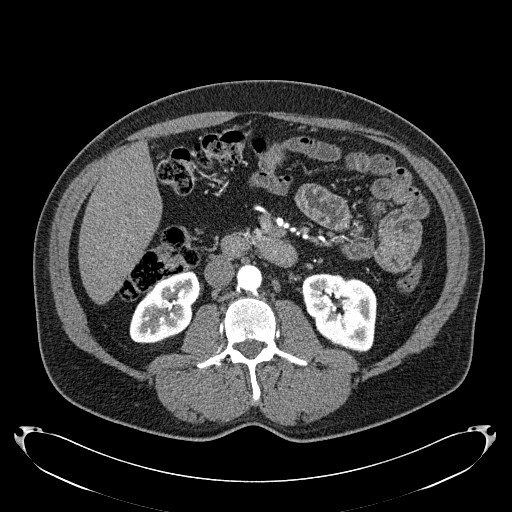
One axial slice (101 of 279, counting up from the lowest) of an arterial-phase abdominal CT acquired with 120 kVp, kernel B31f; each pixel is 0.824 mm and the slice is 2.00 mm thick.
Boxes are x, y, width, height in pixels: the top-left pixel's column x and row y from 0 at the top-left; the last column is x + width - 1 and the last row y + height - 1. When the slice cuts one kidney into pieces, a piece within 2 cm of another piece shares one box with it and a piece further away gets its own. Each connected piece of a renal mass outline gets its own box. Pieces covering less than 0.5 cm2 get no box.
Boxed on this slice (two kidney boxes), listed by box centre from the image's left to its right: (1) Right kidney at x 129, y 270, width 71, height 74 (outlined area 3,507 px, about 23.8 cm2). (2) Box x 301, y 273, width 77, height 80: left kidney (outlined area 4,554 px, about 30.9 cm2). This slice carries no renal mass outline.